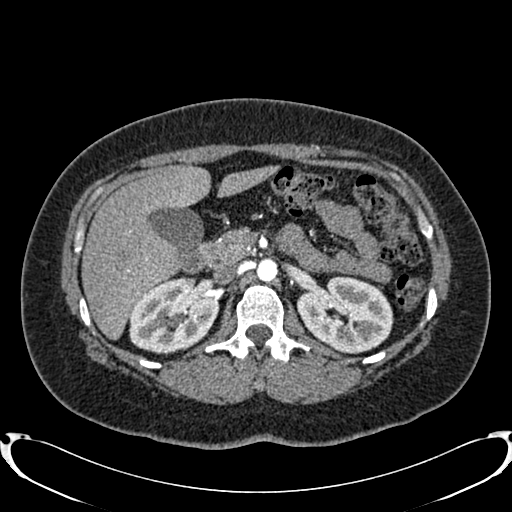
Abdominal CT with intravenous contrast, arterial phase, axial plane, 120 kVp, kernel B20f. Slice 508/719 from the bottom of the scan; thickness 1.00 mm; pixel size 0.766 mm.
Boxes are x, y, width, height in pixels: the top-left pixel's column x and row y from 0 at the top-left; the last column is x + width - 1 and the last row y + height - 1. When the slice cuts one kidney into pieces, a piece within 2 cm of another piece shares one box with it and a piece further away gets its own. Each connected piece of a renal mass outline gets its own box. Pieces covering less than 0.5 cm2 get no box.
Two boxes on this slice (two kidney boxes), listed by box centre from the image's left to its right. (1) Box x 129, y 277, width 90, height 78: right kidney (outlined area 5,217 px, about 30.6 cm2). (2) Left kidney, box x 297, y 276, width 97, height 78 (outlined area 5,531 px, about 32.4 cm2). No renal mass outline on this slice.